One axial slice (202 of 316, counting up from the lowest) of an arterial-phase abdominal CT acquired with 100 kVp, kernel I40f; each pixel is 0.840 mm and the slice is 2.00 mm thick.
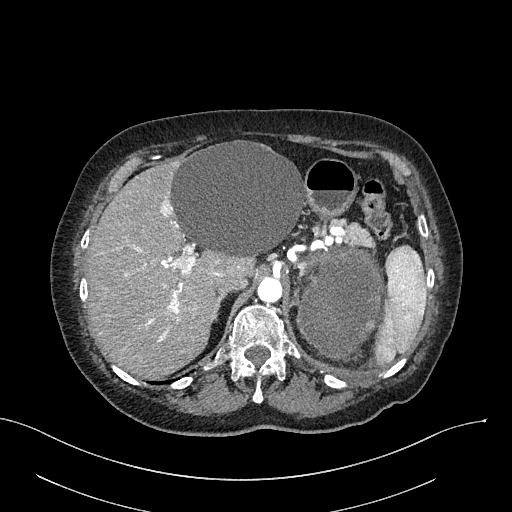
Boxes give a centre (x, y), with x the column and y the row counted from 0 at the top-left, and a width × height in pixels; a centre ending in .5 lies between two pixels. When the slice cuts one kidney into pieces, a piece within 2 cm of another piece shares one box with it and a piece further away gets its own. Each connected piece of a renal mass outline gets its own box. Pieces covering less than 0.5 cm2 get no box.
Left renal mass in a box with centre (339.5, 304.5), 86 × 112 pixels (outlined area 7,382 px, about 52.1 cm2); no kidney is outlined on this slice, but the same outlined renal mass comes within 1 cm of the kidney on another slice.